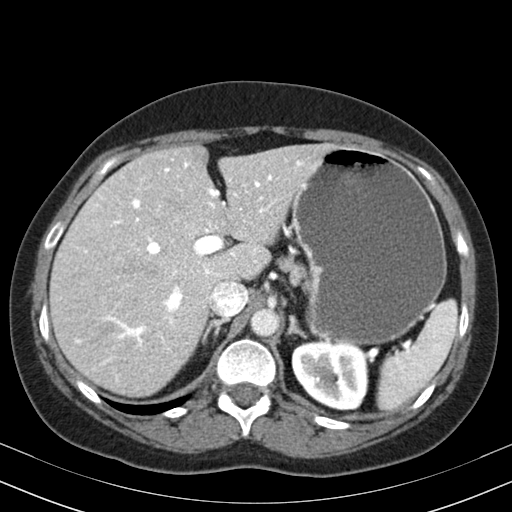
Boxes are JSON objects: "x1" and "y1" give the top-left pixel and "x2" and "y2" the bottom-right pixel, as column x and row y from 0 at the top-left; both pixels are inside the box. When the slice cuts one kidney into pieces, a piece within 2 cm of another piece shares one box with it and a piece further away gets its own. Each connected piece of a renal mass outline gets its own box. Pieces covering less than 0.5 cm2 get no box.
Slice 133/164 of a contrast-enhanced abdominal CT in the arterial phase, counting up from the lowest; pixel size 0.664 mm, slice thickness 3.00 mm. Left kidney, box {"x1": 291, "y1": 341, "x2": 367, "y2": 410} (outlined area 4,334 px, about 19.1 cm2). This slice carries no renal mass outline.
Scan settings: 130 kVp, B30s reconstruction kernel.